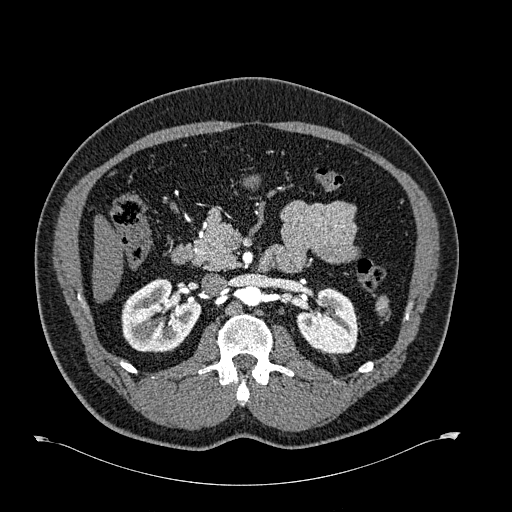
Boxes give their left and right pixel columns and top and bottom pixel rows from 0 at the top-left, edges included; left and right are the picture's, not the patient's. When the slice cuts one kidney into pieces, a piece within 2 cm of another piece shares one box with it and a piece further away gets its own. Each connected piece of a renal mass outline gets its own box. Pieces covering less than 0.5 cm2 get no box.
Arterial-phase contrast-enhanced abdominal CT, axial slice 386 of 723 (counted from the lowest slice); 1.00 mm thick, 0.895 mm per pixel. Two boxes on this slice (two kidney boxes), listed by box centre from the image's left to its right. (1) Right kidney, the box with left 121, top 278, right 201, bottom 352 (outlined area 4,346 px, about 34.8 cm2). (2) Box with left 296, top 287, right 358, bottom 354: left kidney (outlined area 3,064 px, about 24.5 cm2). No renal mass outline on this slice.
Tube voltage 120 kVp; convolution kernel B30f.